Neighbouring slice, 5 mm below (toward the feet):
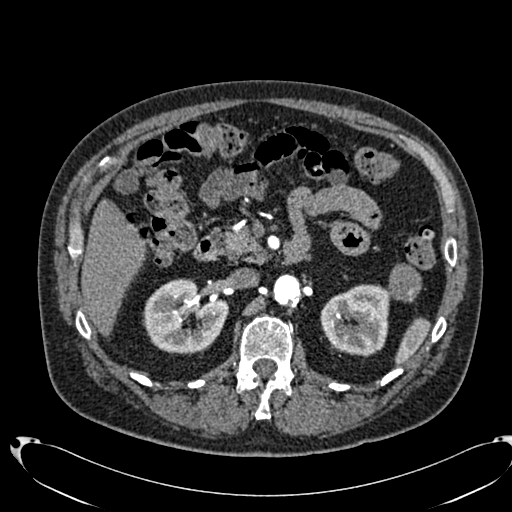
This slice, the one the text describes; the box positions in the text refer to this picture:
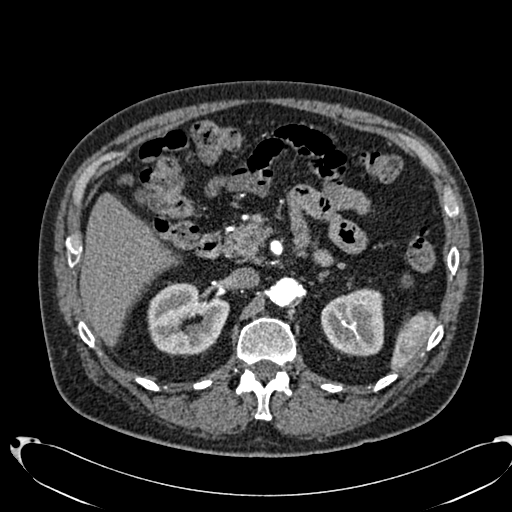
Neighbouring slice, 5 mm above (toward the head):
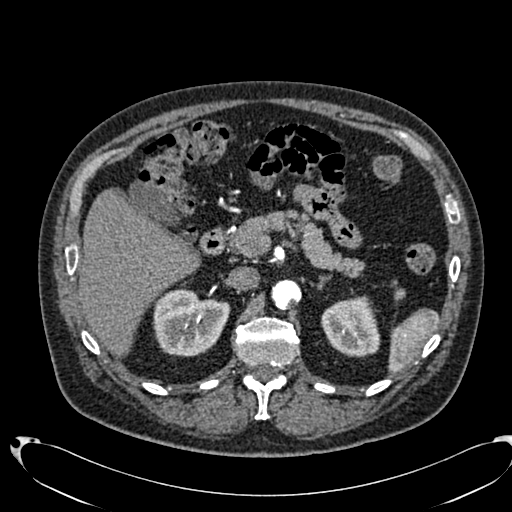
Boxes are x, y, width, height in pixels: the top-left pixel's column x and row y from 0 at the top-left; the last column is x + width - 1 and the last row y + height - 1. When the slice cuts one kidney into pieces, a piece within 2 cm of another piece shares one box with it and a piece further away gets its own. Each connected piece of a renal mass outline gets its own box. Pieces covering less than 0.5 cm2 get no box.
This is axial slice 457 of 553 (slice 1 is the lowest) of an arterial-phase abdominal CT with contrast; each pixel is 0.773 mm and the slice is 1.00 mm thick. Two kidney boxes and one renal mass box on this slice; by box centre, from the image's left to its right: (1) Right kidney at x 147, y 282, width 83, height 76 (outlined area 4,535 px, about 27.1 cm2). (2) Box x 321, y 288, width 64, height 69: left kidney (outlined area 3,480 px, about 20.8 cm2). (3) Left renal mass, box x 402, y 274, width 9, height 13 (outlined area 90 px, about 0.5 cm2); it sits over 1 cm from every kidney outline on this slice, but the same outlined renal mass comes within 1 cm of the kidney on another slice. This slice is near the end of the left renal mass toward the head, so the slices 5 mm below and 5 mm above it are shown as well; the boxes refer to this slice only.
Scan settings: 120 kVp, B20f reconstruction kernel.